Axial slice 133 of 673 of a contrast-enhanced abdominal CT in the arterial phase (slice 1 is the lowest), 140 kVp, kernel I30f; 1.00 mm slice thickness and 0.957 mm pixels.
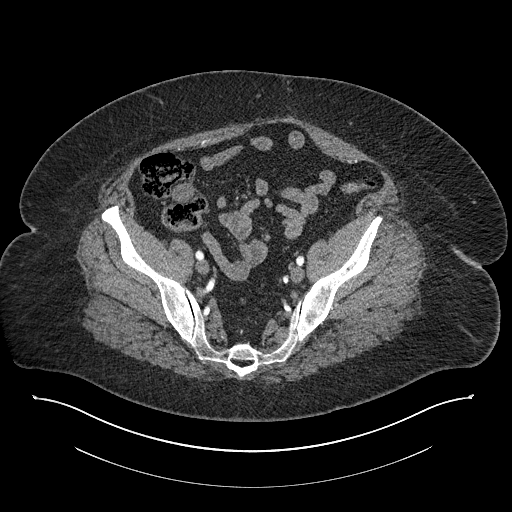
Neither a kidney nor a renal mass is outlined here. Only kidneys and renal masses are outlined anywhere in this scan; other structures are never outlined.